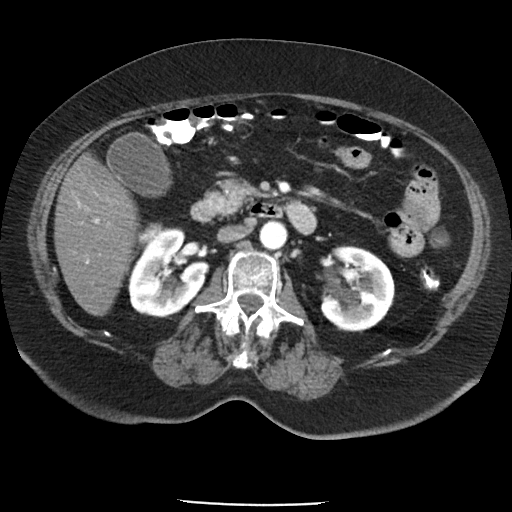
Arterial-phase contrast-enhanced abdominal CT, axial slice 56 of 85 (counted from the lowest slice); tube voltage 120 kVp, convolution kernel FC19; slices 5.00 mm thick, 0.741 mm per pixel.
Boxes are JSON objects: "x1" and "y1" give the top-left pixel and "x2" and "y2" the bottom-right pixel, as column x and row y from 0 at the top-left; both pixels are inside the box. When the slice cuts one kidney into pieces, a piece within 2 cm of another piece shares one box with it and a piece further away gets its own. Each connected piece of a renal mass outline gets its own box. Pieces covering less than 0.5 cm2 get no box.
Boxed on this slice (two kidney boxes and one renal mass box), listed by box centre from the image's left to its right: (1) Right renal mass, box {"x1": 137, "y1": 222, "x2": 162, "y2": 246} (outlined area 499 px, about 2.7 cm2). (2) Box {"x1": 128, "y1": 227, "x2": 210, "y2": 317}: right kidney (outlined area 5,037 px, about 27.7 cm2). (3) Box {"x1": 320, "y1": 246, "x2": 394, "y2": 331}: left kidney (outlined area 5,024 px, about 27.6 cm2).